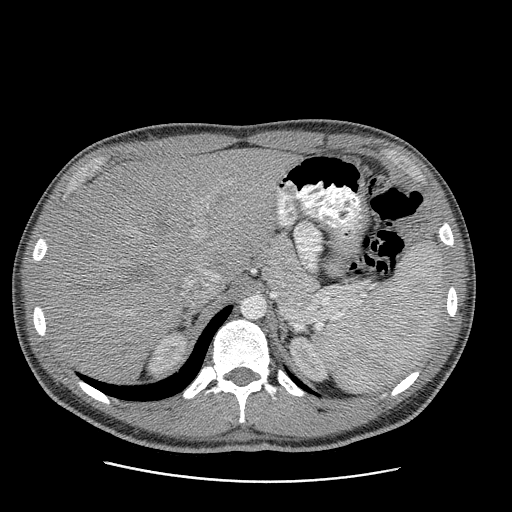
Abdominal CT with intravenous contrast, arterial phase, axial plane, 120 kVp, kernel STANDARD. Slice 171/199 from the bottom of the scan; thickness 2.50 mm; pixel size 0.789 mm.
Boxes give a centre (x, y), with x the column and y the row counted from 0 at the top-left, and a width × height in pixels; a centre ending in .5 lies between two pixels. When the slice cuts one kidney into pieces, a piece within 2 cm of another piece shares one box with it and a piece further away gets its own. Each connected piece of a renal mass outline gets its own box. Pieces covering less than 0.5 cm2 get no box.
Two boxes on this slice (two kidney boxes), listed by box centre from the image's left to its right. (1) Box centre (167, 352), 39 × 43 pixels: right kidney (outlined area 1,151 px, about 7.2 cm2). (2) Box centre (308.5, 359), 40 × 47 pixels: left kidney (outlined area 1,171 px, about 7.3 cm2). No renal mass outline on this slice.